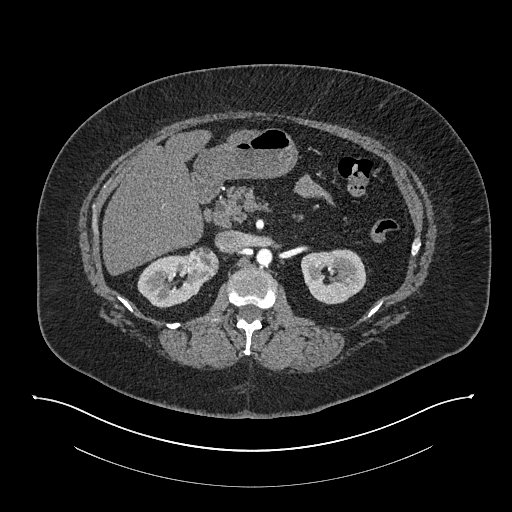
One axial slice (507 of 673, counting up from the lowest) of an arterial-phase abdominal CT acquired with 140 kVp, kernel I30f; each pixel is 0.957 mm and the slice is 1.00 mm thick.
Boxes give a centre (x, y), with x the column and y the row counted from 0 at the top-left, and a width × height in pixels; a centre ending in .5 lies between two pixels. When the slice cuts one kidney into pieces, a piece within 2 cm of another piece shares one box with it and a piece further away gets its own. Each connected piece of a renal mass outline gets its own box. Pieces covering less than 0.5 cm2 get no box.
Two kidney boxes and one renal mass box on this slice; by box centre, from the image's left to its right: (1) Box centre (170.5, 281.5), 68 × 54 pixels: right kidney (outlined area 2,370 px, about 21.7 cm2). (2) Right renal mass, box centre (202, 264), 33 × 35 pixels (outlined area 913 px, about 8.4 cm2). (3) Box centre (333.5, 276.5), 66 × 56 pixels: left kidney (outlined area 2,845 px, about 26.1 cm2).